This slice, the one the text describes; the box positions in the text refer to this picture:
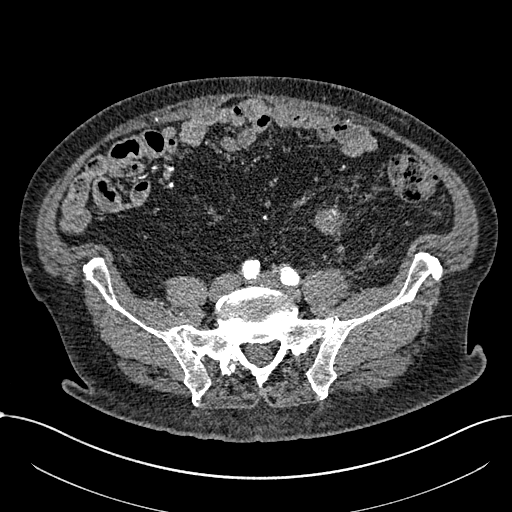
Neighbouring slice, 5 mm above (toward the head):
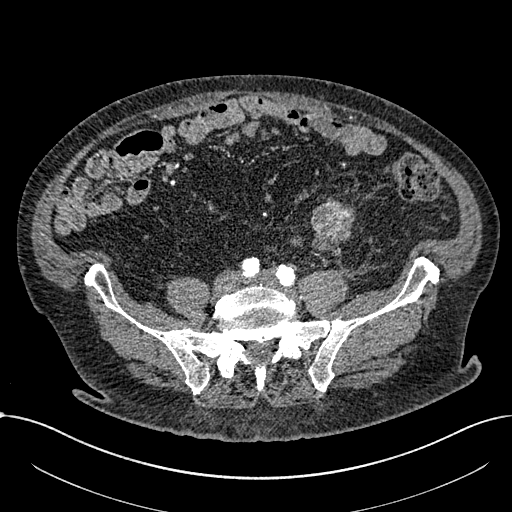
Abdominal CT with intravenous contrast, arterial phase, axial plane, 100 kVp, kernel I30f. Slice 156/1059 from the bottom of the scan; thickness 1.00 mm; pixel size 0.811 mm.
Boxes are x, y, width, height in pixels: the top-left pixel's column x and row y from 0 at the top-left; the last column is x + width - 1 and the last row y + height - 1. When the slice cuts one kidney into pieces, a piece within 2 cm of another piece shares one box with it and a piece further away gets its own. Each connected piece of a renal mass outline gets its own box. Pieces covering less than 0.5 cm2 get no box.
Renal mass at x 314, y 208, width 30, height 29 (outlined area 646 px, about 4.2 cm2); this slice has no kidney outline, though on another slice the same outlined renal mass lies within 1 cm of the kidney. This slice is near the end of a renal mass toward the feet, so the slice 5 mm above it is shown as well; the boxes refer to this slice only.